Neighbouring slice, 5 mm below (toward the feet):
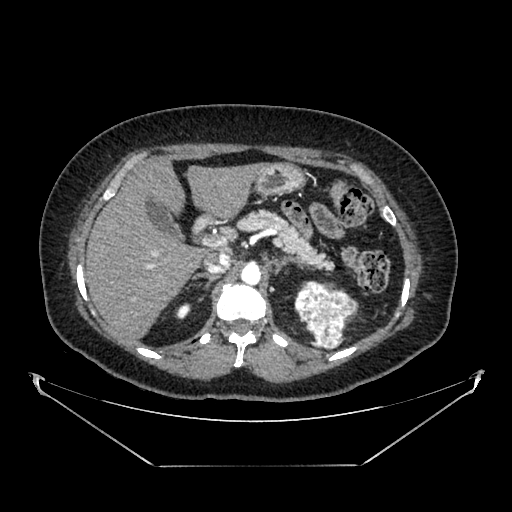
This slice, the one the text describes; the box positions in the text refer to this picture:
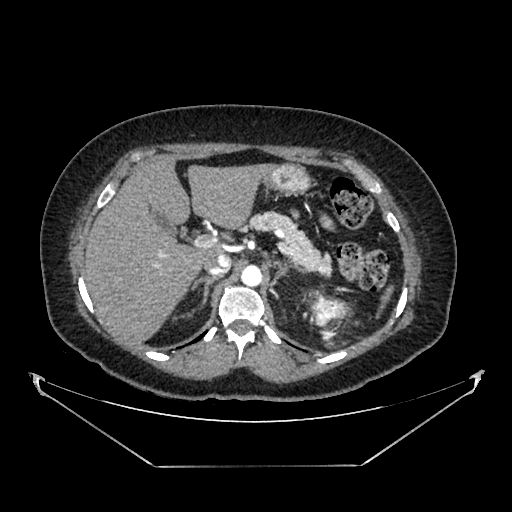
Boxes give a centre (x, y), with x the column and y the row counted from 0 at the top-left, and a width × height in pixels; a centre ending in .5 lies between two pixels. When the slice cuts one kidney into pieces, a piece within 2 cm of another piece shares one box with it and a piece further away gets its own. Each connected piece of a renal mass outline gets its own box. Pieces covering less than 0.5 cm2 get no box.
This is axial slice 271 of 383 (slice 1 is the lowest) of an arterial-phase abdominal CT with contrast; each pixel is 0.898 mm and the slice is 1.25 mm thick. Box centre (327, 312), 35 × 29 pixels: left renal mass (outlined area 760 px, about 6.1 cm2); this slice has no kidney outline, though on another slice the same outlined renal mass lies within 1 cm of the kidney. This slice lies near the end of the left renal mass toward the head; the slice 5 mm below it is shown too, and the boxes mark positions on this slice only.
Scan settings: 100 kVp, SOFT reconstruction kernel.